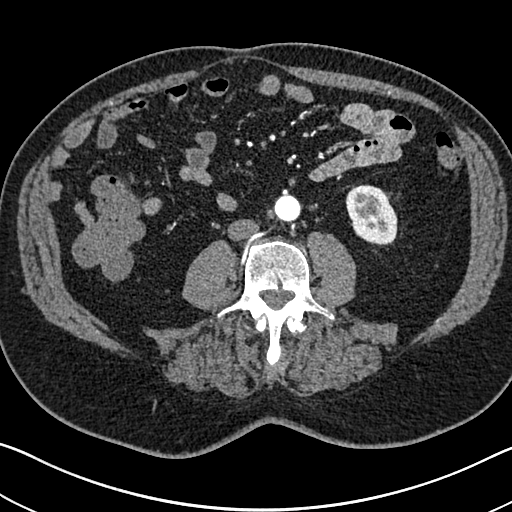
One axial slice (294 of 705, counting up from the lowest) of an arterial-phase abdominal CT acquired with 120 kVp, kernel I30f; each pixel is 0.703 mm and the slice is 1.00 mm thick.
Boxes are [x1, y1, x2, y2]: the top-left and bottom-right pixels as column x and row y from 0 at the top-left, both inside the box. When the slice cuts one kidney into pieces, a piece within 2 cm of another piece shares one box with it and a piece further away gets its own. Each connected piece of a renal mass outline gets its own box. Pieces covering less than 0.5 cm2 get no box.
Left kidney at [345, 184, 397, 245] (outlined area 2,441 px, about 12.1 cm2). No renal mass outline on this slice.